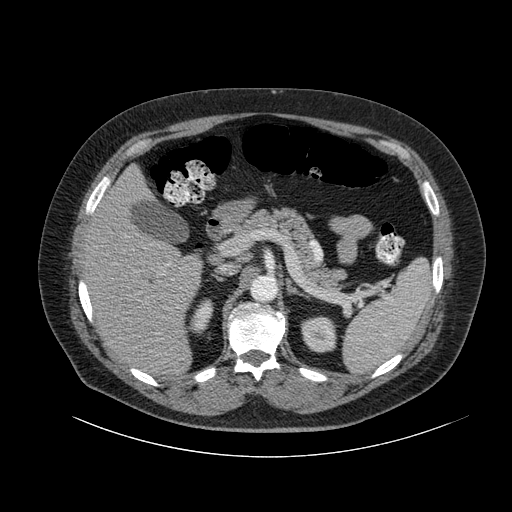
Contrast-enhanced abdominal CT, axial slice 67 of 105 (counted from the lowest slice); tube voltage 120 kVp, convolution kernel B; slices 3.00 mm thick, 0.977 mm per pixel.
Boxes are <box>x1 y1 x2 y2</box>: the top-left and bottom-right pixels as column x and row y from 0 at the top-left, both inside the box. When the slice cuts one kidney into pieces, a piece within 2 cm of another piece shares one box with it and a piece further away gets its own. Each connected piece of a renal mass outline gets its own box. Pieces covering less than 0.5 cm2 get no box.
Two kidney boxes on this slice; by box centre, from the image's left to its right: (1) Right kidney: <box>189 298 213 334</box> (outlined area 590 px, about 5.6 cm2). (2) At <box>301 316 336 352</box>: left kidney (outlined area 1,098 px, about 10.5 cm2). No renal mass is outlined on this slice.